Axial slice 255 of 673 of a contrast-enhanced abdominal CT in the arterial phase (slice 1 is the lowest), 120 kVp, kernel I30f; 1.00 mm slice thickness and 0.855 mm pixels.
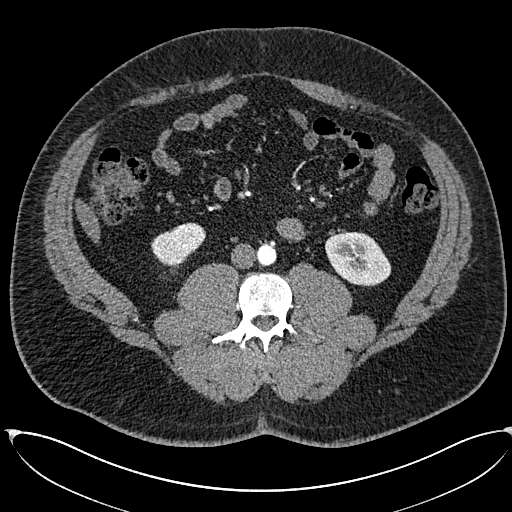
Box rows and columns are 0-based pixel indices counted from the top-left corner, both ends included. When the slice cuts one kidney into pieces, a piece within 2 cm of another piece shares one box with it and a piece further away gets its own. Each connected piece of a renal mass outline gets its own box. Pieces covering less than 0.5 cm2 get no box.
Two kidney boxes on this slice; by box centre, from the image's left to its right: (1) Box rows 222–266, columns 151–205: right kidney (outlined area 1,640 px, about 12.0 cm2). (2) Left kidney at rows 232–286, columns 325–391 (outlined area 2,707 px, about 19.8 cm2). No renal mass outline on this slice.